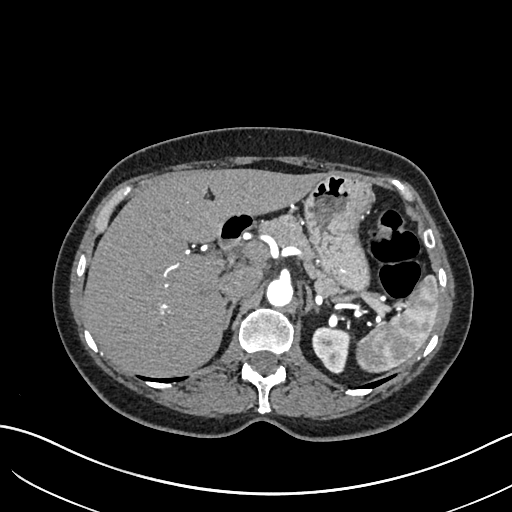
Arterial-phase contrast-enhanced abdominal CT, axial slice 465 of 683 (counted from the lowest slice); tube voltage 120 kVp, convolution kernel I30f; slices 1.00 mm thick, 0.738 mm per pixel.
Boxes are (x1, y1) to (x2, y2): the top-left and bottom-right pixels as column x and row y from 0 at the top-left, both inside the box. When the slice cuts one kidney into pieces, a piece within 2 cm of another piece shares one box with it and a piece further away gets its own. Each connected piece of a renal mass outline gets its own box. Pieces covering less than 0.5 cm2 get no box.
Left kidney from (312, 327) to (352, 374) (outlined area 1,386 px, about 7.6 cm2). This slice carries no renal mass outline.